One axial slice (503 of 612, counting up from the lowest) of an arterial-phase abdominal CT acquired with 120 kVp, kernel I30f; each pixel is 0.703 mm and the slice is 1.00 mm thick.
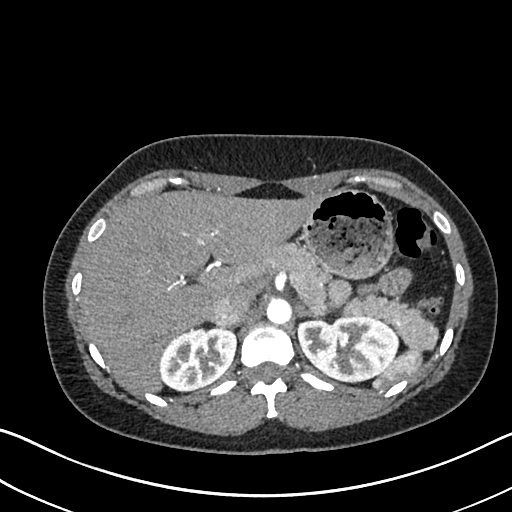
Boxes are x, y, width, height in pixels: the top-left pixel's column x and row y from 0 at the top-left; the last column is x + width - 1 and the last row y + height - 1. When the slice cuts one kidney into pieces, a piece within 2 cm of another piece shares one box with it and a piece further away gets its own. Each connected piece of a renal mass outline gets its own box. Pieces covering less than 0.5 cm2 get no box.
Two boxes on this slice (two kidney boxes), listed by box centre from the image's left to its right. (1) Box x 159, y 327, width 77, height 65: right kidney (outlined area 3,772 px, about 18.6 cm2). (2) Left kidney at x 296, y 315, width 103, height 68 (outlined area 5,366 px, about 26.5 cm2). No renal mass outline on this slice.